Axial slice 296 of 532 of a contrast-enhanced abdominal CT in the arterial phase (slice 1 is the lowest), 120 kVp, kernel B30f; 1.00 mm slice thickness and 0.713 mm pixels.
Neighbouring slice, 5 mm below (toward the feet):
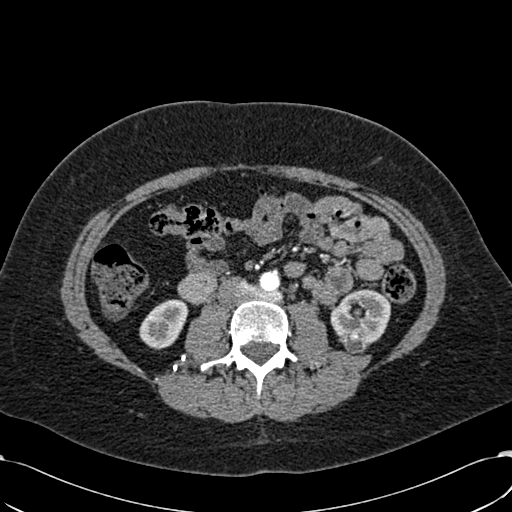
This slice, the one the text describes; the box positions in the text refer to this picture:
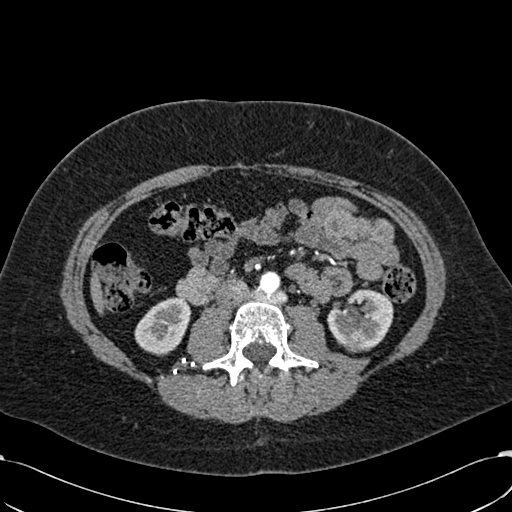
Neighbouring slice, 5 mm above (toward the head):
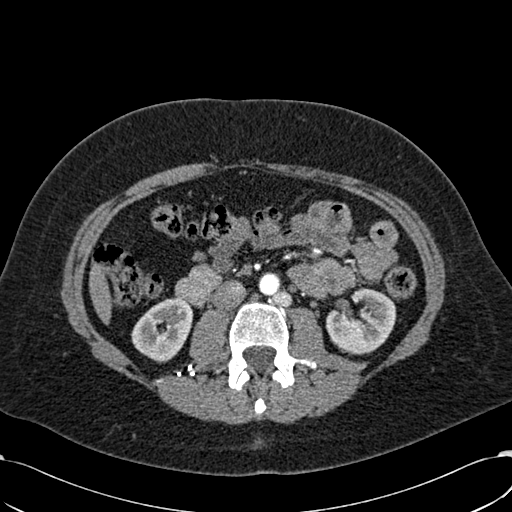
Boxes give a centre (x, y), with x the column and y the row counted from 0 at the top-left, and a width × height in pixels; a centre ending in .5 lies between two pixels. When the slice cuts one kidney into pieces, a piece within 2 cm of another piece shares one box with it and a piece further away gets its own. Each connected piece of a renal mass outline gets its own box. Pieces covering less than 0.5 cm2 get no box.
Boxed on this slice (two kidney boxes and one renal mass box), listed by box centre from the image's left to its right: (1) Right kidney in a box with centre (162, 326), 57 × 59 pixels (outlined area 2,354 px, about 12.0 cm2). (2) Box centre (353, 344.5), 13 × 10 pixels: left renal mass (outlined area 112 px, about 0.6 cm2). (3) Box centre (360, 320.5), 67 × 64 pixels: left kidney (outlined area 2,974 px, about 15.1 cm2). This slice is near the end of the left renal mass toward the head, so the slices 5 mm below and 5 mm above it are shown as well; the boxes refer to this slice only.